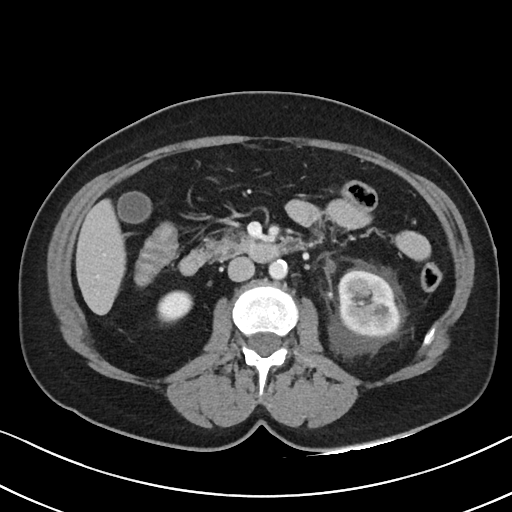
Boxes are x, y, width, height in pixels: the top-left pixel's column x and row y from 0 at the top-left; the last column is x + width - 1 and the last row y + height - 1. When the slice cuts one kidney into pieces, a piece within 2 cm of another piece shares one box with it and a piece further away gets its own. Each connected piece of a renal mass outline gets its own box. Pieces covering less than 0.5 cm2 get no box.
Contrast-enhanced abdominal CT, axial slice 54 of 88 (counted from the lowest slice); 5.00 mm thick, 0.674 mm per pixel. Two kidney boxes on this slice; by box centre, from the image's left to its right: (1) Right kidney, box x 157, y 290, width 37, height 34 (outlined area 933 px, about 4.2 cm2). (2) Left kidney, box x 337, y 270, width 64, height 67 (outlined area 3,407 px, about 15.5 cm2). No renal mass outline on this slice.
Acquired at 100 kVp and reconstructed with the I40f kernel.